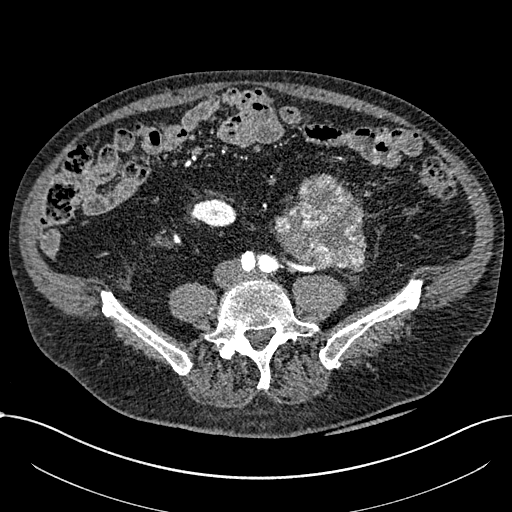
Abdominal CT with intravenous contrast, arterial phase, axial plane, 100 kVp, kernel I30f. Slice 206/1059 from the bottom of the scan; thickness 1.00 mm; pixel size 0.811 mm.
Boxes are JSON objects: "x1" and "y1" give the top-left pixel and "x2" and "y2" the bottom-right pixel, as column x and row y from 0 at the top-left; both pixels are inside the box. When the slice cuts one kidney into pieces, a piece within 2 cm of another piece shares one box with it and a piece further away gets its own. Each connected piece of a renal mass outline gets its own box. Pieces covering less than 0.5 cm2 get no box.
Boxed on this slice (one kidney box and one renal mass box), listed by box centre from the image's left to its right: (1) Right part of the midline-crossing kidney at {"x1": 191, "y1": 198, "x2": 236, "y2": 227} (outlined area 998 px, about 6.6 cm2). (2) Renal mass, box {"x1": 274, "y1": 173, "x2": 366, "y2": 272} (outlined area 6,519 px, about 42.8 cm2); on this slice it lies more than 1 cm from any kidney outline, but the same outlined renal mass comes within 1 cm of the kidney on another slice.